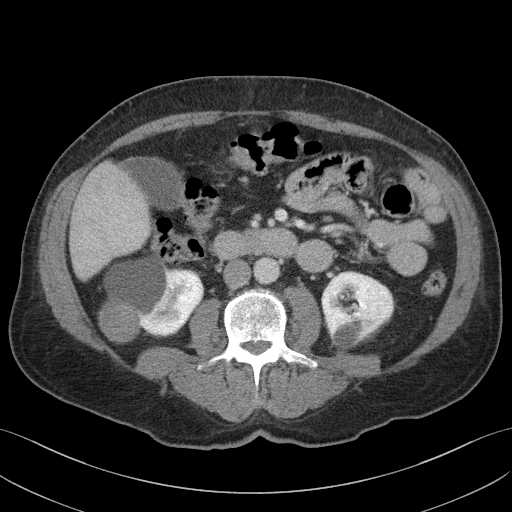
One axial slice (61 of 103, counting up from the lowest) of a contrast-enhanced abdominal CT acquired with 100 kVp, kernel I41f; each pixel is 0.742 mm and the slice is 4.00 mm thick.
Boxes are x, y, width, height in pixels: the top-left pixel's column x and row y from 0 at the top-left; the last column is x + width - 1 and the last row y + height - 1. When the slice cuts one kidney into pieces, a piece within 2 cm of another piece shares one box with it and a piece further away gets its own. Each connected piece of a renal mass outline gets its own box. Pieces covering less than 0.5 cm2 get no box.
Boxed on this slice (two kidney boxes), listed by box centre from the image's left to its right: (1) Right kidney at x 98, y 253, width 107, height 91 (outlined area 6,830 px, about 37.6 cm2). (2) Box x 321, y 271, width 74, height 77: left kidney (outlined area 4,161 px, about 22.9 cm2). This slice carries no renal mass outline.